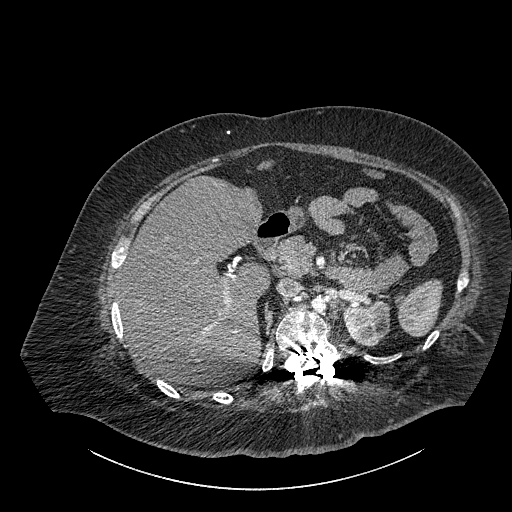
One axial slice (612 of 834, counting up from the lowest) of a contrast-enhanced abdominal CT acquired with 140 kVp, kernel I30f; each pixel is 0.977 mm and the slice is 1.00 mm thick.
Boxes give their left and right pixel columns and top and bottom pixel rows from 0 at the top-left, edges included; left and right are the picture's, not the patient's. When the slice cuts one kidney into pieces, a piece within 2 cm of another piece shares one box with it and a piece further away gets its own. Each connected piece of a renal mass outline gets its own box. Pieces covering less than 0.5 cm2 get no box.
Box with left 343, top 300, right 390, bottom 346: left part of the midline-crossing kidney (outlined area 1,633 px, about 15.6 cm2). This slice carries no renal mass outline.